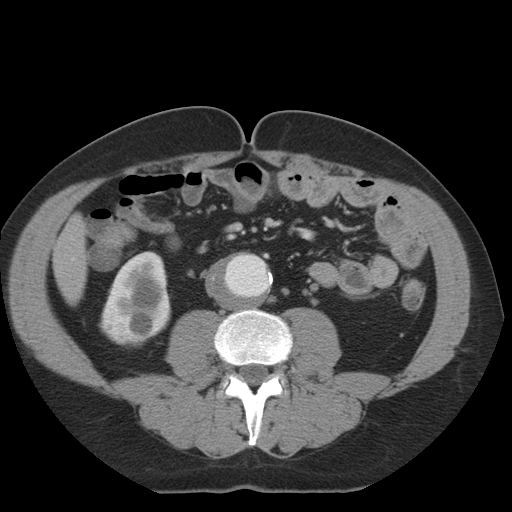
Axial slice 4 of 36 of a contrast-enhanced abdominal CT in the arterial phase (slice 1 is the lowest), 140 kVp, kernel STANDARD; 5.00 mm slice thickness and 0.703 mm pixels.
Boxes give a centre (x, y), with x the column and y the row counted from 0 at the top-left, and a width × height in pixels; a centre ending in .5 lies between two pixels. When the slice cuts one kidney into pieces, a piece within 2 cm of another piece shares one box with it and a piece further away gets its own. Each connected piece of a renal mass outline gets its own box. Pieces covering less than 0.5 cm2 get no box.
Right kidney, box centre (134.5, 299), 74 × 97 pixels (outlined area 5,078 px, about 25.1 cm2). This slice carries no renal mass outline.